Axial slice 343 of 734 of a contrast-enhanced abdominal CT (slice 1 is the lowest), 120 kVp, kernel B31f; 2.00 mm slice thickness and 0.971 mm pixels.
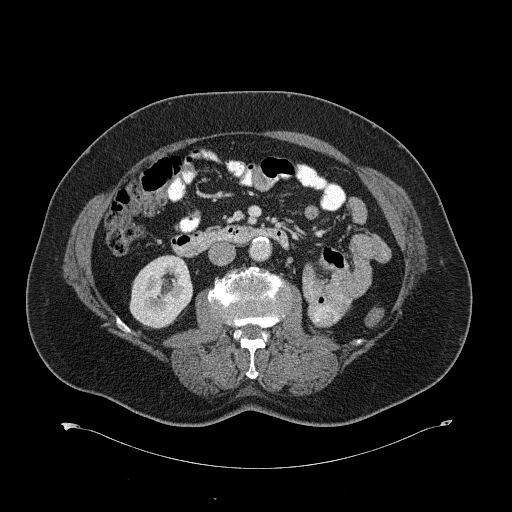
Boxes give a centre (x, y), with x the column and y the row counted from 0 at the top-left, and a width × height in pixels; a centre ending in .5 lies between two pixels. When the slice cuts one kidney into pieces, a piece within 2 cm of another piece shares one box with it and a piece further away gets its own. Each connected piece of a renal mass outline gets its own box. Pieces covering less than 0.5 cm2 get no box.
Right kidney in a box with centre (160.5, 291), 64 × 75 pixels (outlined area 3,523 px, about 33.2 cm2). This slice carries no renal mass outline.